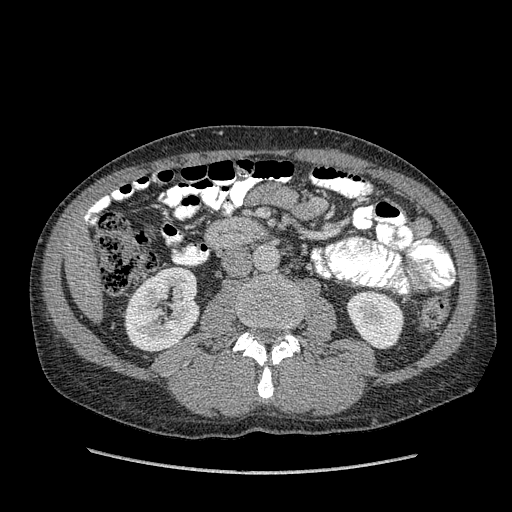
Abdominal CT with intravenous contrast, arterial phase, axial plane, 120 kVp, kernel STANDARD. Slice 183/349 from the bottom of the scan; thickness 1.25 mm; pixel size 0.742 mm.
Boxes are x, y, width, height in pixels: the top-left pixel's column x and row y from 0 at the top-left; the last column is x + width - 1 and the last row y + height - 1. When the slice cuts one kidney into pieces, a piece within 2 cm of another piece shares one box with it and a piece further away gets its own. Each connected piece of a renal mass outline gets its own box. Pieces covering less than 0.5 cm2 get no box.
Two kidney boxes on this slice; by box centre, from the image's left to its right: (1) Right kidney at x 124, y 267, width 78, height 86 (outlined area 4,970 px, about 27.4 cm2). (2) Left kidney, box x 346, y 290, width 59, height 60 (outlined area 2,570 px, about 14.2 cm2). No renal mass is outlined on this slice.